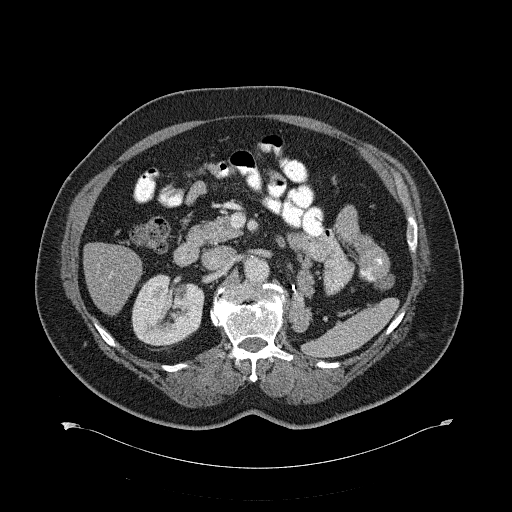
Contrast-enhanced abdominal CT, axial slice 385 of 734 (counted from the lowest slice); tube voltage 120 kVp, convolution kernel B31f; slices 2.00 mm thick, 0.971 mm per pixel.
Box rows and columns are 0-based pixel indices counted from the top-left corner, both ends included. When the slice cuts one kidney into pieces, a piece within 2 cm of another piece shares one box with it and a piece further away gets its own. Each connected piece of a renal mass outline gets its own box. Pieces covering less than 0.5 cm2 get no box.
Box rows 274–347, columns 131–202: right kidney (outlined area 4,142 px, about 39.0 cm2). This slice carries no renal mass outline.